One axial slice (209 of 527, counting up from the lowest) of an arterial-phase abdominal CT acquired with 120 kVp, kernel I30f; each pixel is 0.859 mm and the slice is 1.00 mm thick.
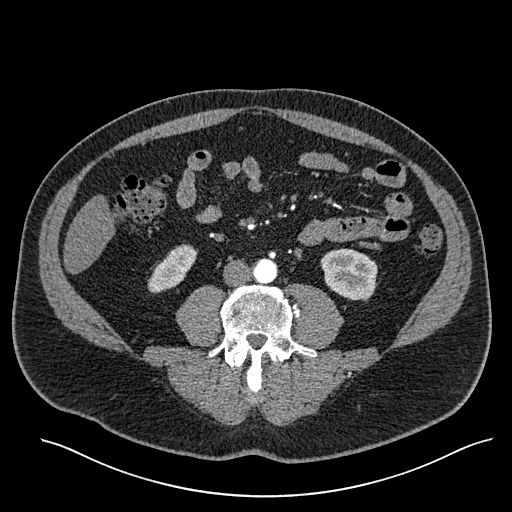
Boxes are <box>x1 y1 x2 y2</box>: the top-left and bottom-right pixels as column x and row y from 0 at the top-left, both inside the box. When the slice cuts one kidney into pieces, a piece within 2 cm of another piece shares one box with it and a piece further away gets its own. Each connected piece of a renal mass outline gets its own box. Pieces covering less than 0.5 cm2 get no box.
Boxed on this slice (two kidney boxes), listed by box centre from the image's left to its right: (1) At <box>147 244 197 293</box>: right kidney (outlined area 1,447 px, about 10.7 cm2). (2) Left kidney at <box>320 248 377 301</box> (outlined area 2,362 px, about 17.4 cm2). No renal mass is outlined on this slice.